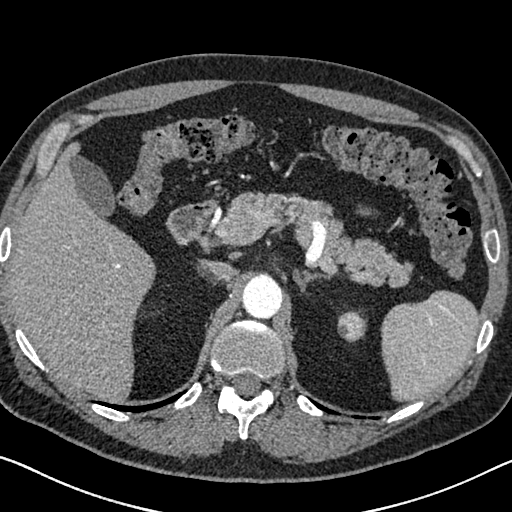
One axial slice (489 of 626, counting up from the lowest) of an arterial-phase abdominal CT acquired with 120 kVp, kernel I30f; each pixel is 0.703 mm and the slice is 1.00 mm thick.
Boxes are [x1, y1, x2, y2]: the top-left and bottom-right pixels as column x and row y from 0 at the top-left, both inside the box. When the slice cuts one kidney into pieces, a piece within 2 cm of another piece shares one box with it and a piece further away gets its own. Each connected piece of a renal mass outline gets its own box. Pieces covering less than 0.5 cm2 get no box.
Box [337, 310, 367, 342]: left kidney (outlined area 729 px, about 3.6 cm2). No renal mass is outlined on this slice.